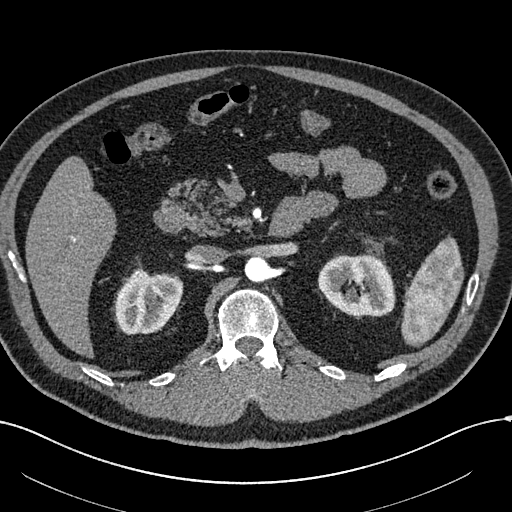
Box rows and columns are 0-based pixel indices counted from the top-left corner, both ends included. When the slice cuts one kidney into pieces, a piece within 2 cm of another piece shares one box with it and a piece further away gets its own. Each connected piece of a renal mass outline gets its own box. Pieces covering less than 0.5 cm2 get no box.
Arterial-phase contrast-enhanced abdominal CT, axial slice 384 of 602 (counted from the lowest slice); 1.00 mm thick, 0.799 mm per pixel. Two kidney boxes on this slice; by box centre, from the image's left to its right: (1) Right kidney at rows 267–334, columns 114–183 (outlined area 3,455 px, about 22.0 cm2). (2) Left kidney at rows 253–316, columns 318–395 (outlined area 3,879 px, about 24.8 cm2). No renal mass outline on this slice.
Tube voltage 120 kVp; convolution kernel I30f.